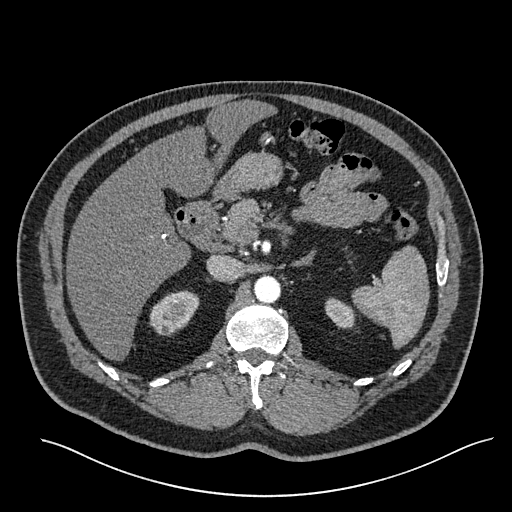
Abdominal CT with intravenous contrast, arterial phase, axial plane, 120 kVp, kernel I30f. Slice 393/527 from the bottom of the scan; thickness 1.00 mm; pixel size 0.859 mm.
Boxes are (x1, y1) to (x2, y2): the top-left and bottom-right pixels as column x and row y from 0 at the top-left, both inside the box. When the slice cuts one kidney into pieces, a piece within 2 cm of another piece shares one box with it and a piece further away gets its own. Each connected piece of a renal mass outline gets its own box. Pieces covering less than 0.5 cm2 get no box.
Two boxes on this slice (two kidney boxes), listed by box centre from the image's left to its right. (1) Right kidney, box (149, 290) to (199, 336) (outlined area 1,606 px, about 11.9 cm2). (2) Box (325, 297) to (355, 328): left kidney (outlined area 685 px, about 5.1 cm2). No renal mass outline on this slice.